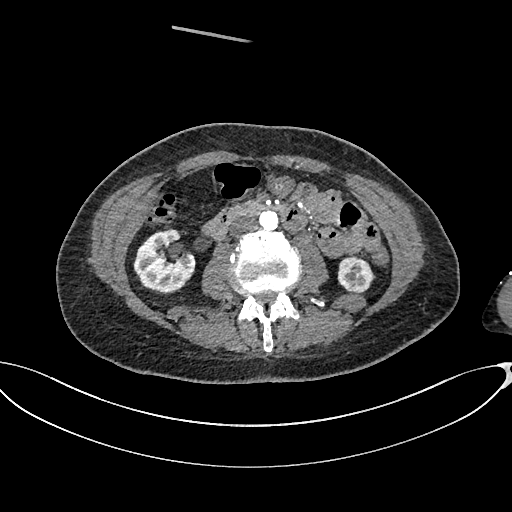
Axial slice 327 of 665 of a contrast-enhanced abdominal CT in the arterial phase (slice 1 is the lowest), 100 kVp, kernel I26f; 1.00 mm slice thickness and 0.828 mm pixels.
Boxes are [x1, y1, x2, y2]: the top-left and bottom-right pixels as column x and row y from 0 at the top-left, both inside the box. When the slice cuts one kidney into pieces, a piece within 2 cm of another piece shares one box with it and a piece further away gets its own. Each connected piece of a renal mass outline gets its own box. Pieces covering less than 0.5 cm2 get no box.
Two kidney boxes on this slice; by box centre, from the image's left to its right: (1) Right kidney, box [133, 229, 195, 294] (outlined area 2,942 px, about 20.2 cm2). (2) Left kidney at [337, 256, 374, 292] (outlined area 1,064 px, about 7.3 cm2). No renal mass is outlined on this slice.